Axial slice 217 of 581 of a contrast-enhanced abdominal CT in the arterial phase (slice 1 is the lowest), 120 kVp, kernel B30f; 1.00 mm slice thickness and 0.713 mm pixels.
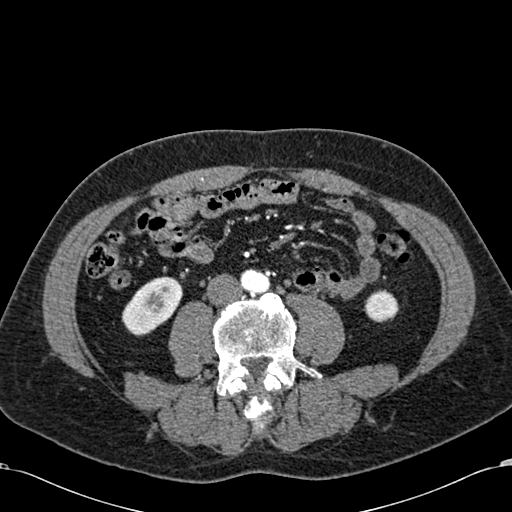
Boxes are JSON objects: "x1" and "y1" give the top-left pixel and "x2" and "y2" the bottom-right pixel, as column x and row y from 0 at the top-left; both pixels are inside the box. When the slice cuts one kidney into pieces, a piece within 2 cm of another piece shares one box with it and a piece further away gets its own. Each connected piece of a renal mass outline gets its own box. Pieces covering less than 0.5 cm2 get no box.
Boxed on this slice (two kidney boxes), listed by box centre from the image's left to its right: (1) Right kidney at {"x1": 121, "y1": 276, "x2": 182, "y2": 336} (outlined area 2,426 px, about 12.3 cm2). (2) Box {"x1": 364, "y1": 289, "x2": 397, "y2": 322}: left kidney (outlined area 866 px, about 4.4 cm2). No renal mass outline on this slice.